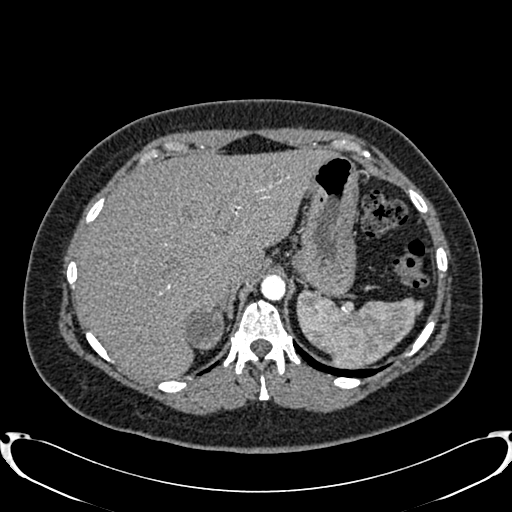
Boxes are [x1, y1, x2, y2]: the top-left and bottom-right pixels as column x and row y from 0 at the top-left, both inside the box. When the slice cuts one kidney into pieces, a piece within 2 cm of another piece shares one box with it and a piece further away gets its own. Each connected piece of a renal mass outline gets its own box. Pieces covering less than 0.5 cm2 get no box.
Arterial-phase contrast-enhanced abdominal CT, axial slice 634 of 719 (counted from the lowest slice); 1.00 mm thick, 0.766 mm per pixel. Box [184, 304, 224, 349]: right renal mass (outlined area 1,463 px, about 8.6 cm2); no kidney outline appears on this slice, but the same outlined renal mass comes within 1 cm of the kidney on another slice.
Tube voltage 120 kVp; convolution kernel B20f.